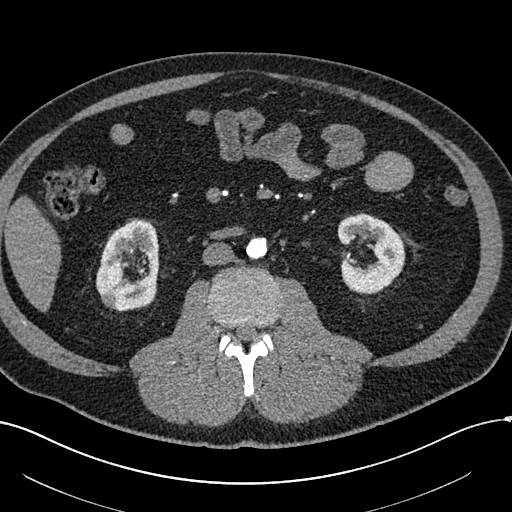
Arterial-phase contrast-enhanced abdominal CT, axial slice 268 of 602 (counted from the lowest slice); tube voltage 120 kVp, convolution kernel I30f; slices 1.00 mm thick, 0.799 mm per pixel.
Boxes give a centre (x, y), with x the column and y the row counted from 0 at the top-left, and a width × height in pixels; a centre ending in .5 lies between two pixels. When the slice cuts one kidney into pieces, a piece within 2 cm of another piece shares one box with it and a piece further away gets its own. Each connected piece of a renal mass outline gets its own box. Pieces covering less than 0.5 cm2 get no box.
Boxed on this slice (two kidney boxes and one renal mass box), listed by box centre from the image's left to its right: (1) Right renal mass in a box with centre (109.5, 300.5), 18 × 18 pixels (outlined area 227 px, about 1.4 cm2). (2) Box centre (126.5, 264.5), 64 × 92 pixels: right kidney (outlined area 4,241 px, about 27.1 cm2). (3) Left kidney in a box with centre (370.5, 253.5), 68 × 82 pixels (outlined area 3,880 px, about 24.8 cm2).